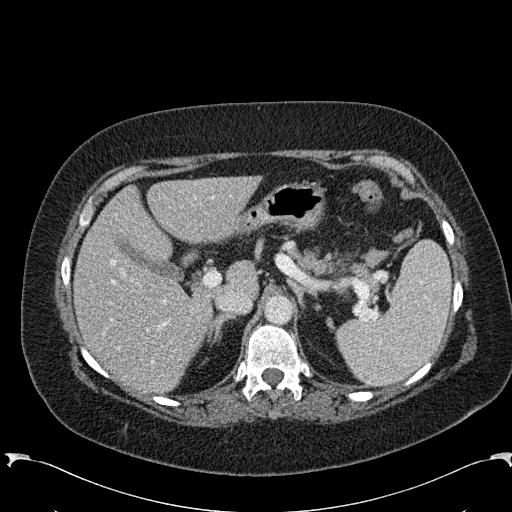
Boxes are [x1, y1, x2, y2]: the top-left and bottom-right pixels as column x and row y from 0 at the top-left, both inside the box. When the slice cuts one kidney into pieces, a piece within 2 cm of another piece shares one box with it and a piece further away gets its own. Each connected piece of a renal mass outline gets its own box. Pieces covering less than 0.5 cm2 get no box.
Slice 186/285 of a contrast-enhanced abdominal CT in the arterial phase, counting up from the lowest; pixel size 0.762 mm, slice thickness 2.00 mm. Box [338, 277, 346, 289]: left kidney (outlined area 87 px, about 0.5 cm2). No renal mass is outlined on this slice.
Scan settings: 120 kVp, B31f reconstruction kernel.